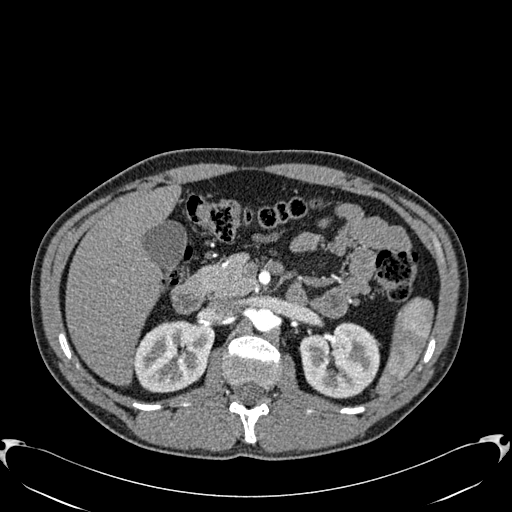
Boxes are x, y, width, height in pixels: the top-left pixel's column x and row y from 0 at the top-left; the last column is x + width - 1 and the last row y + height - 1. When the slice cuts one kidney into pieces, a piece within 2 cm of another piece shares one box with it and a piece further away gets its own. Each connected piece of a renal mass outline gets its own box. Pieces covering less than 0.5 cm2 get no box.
This is axial slice 387 of 512 (slice 1 is the lowest) of an arterial-phase abdominal CT with contrast; each pixel is 0.771 mm and the slice is 1.00 mm thick. Two boxes on this slice (two kidney boxes), listed by box centre from the image's left to its right. (1) Box x 134, y 320, width 81, height 73: right kidney (outlined area 4,584 px, about 27.3 cm2). (2) Box x 299, y 322, width 81, height 77: left kidney (outlined area 4,715 px, about 28.1 cm2). This slice carries no renal mass outline.
Tube voltage 120 kVp; convolution kernel B30f.